Axial slice 14 of 36 of a contrast-enhanced abdominal CT in the arterial phase (slice 1 is the lowest), 140 kVp, kernel STANDARD; 5.00 mm slice thickness and 0.703 mm pixels.
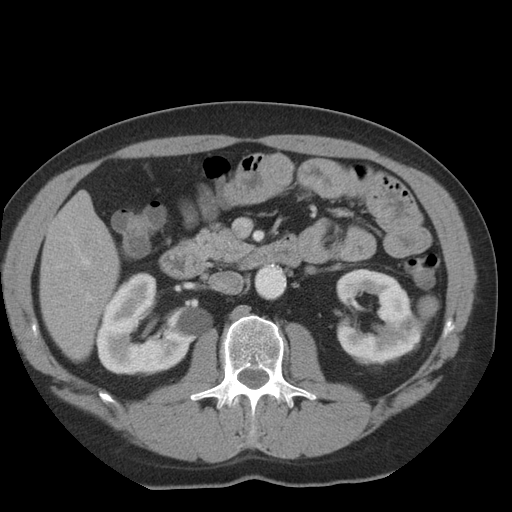
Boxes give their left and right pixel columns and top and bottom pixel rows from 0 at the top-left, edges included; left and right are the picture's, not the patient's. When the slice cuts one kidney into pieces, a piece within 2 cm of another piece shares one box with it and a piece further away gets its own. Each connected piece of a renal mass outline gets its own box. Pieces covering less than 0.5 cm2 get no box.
Boxed on this slice (two kidney boxes and one renal mass box), listed by box centre from the image's left to its right: (1) Right kidney, the box with left 96, top 271, right 212, bottom 376 (outlined area 7,614 px, about 37.6 cm2). (2) Left kidney in the box with left 335, top 268, right 423, bottom 364 (outlined area 5,662 px, about 28.0 cm2). (3) Box with left 400, top 294, right 439, bottom 334: left renal mass (outlined area 885 px, about 4.4 cm2).